One axial slice (336 of 738, counting up from the lowest) of an arterial-phase abdominal CT acquired with 120 kVp, kernel I30f; each pixel is 0.789 mm and the slice is 1.00 mm thick.
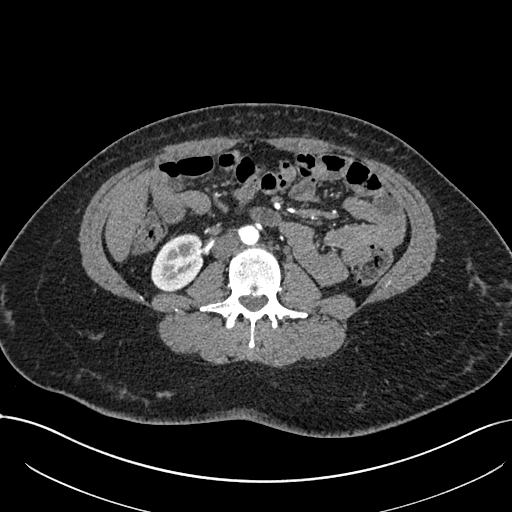
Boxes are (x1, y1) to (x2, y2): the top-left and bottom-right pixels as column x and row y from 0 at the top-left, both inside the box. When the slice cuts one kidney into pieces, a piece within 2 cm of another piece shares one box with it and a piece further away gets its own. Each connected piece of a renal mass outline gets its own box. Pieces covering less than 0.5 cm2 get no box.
Right kidney from (151, 233) to (203, 292) (outlined area 2,328 px, about 14.5 cm2). This slice carries no renal mass outline.